One axial slice (423 of 538, counting up from the lowest) of an arterial-phase abdominal CT acquired with 120 kVp, kernel B30f; each pixel is 0.811 mm and the slice is 1.00 mm thick.
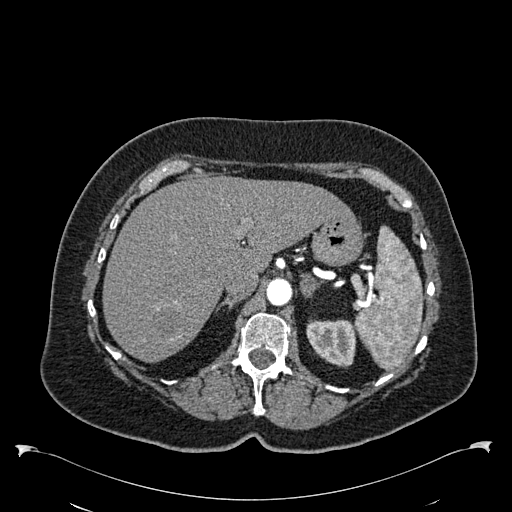
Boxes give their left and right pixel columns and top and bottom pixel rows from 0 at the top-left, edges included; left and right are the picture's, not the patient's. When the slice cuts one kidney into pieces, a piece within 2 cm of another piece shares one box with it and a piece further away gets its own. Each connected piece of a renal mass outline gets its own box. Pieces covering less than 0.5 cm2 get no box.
Left kidney in the box with left 306, top 319, right 356, bottom 367 (outlined area 1,918 px, about 12.6 cm2). This slice carries no renal mass outline.